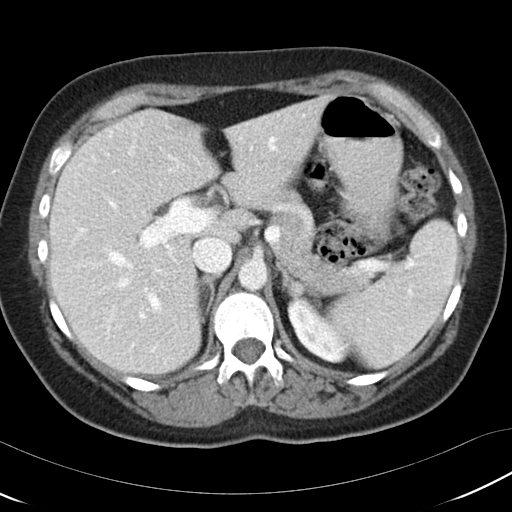
Axial slice 76 of 97 of a contrast-enhanced abdominal CT (slice 1 is the lowest), 120 kVp, kernel B30f; 5.00 mm slice thickness and 0.664 mm pixels.
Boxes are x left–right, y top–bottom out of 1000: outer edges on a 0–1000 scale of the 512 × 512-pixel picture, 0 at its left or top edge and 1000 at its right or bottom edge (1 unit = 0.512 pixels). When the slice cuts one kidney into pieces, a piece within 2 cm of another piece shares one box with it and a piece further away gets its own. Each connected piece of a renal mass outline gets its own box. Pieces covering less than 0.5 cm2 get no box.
Box x 561–684, y 578–711 out of 1000: left kidney (outlined area 2,484 px, about 11.0 cm2). No renal mass is outlined on this slice.